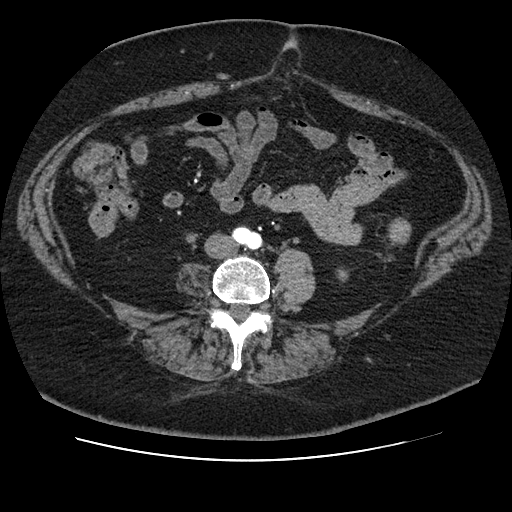
Axial slice 19 of 106 of a contrast-enhanced abdominal CT in the arterial phase (slice 1 is the lowest), 120 kVp, kernel STANDARD; 2.50 mm slice thickness and 0.742 mm pixels.
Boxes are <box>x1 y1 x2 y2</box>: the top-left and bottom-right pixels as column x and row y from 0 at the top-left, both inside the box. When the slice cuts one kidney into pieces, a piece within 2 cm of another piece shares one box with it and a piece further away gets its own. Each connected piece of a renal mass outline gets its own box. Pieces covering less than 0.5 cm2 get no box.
Left kidney: <box>337 269 348 281</box> (outlined area 113 px, about 0.6 cm2). This slice carries no renal mass outline.